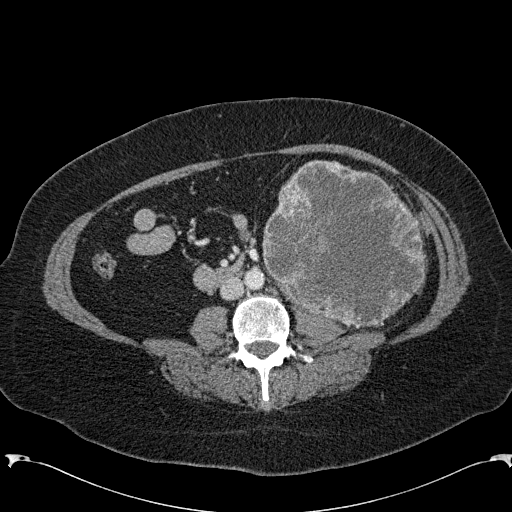
Arterial-phase contrast-enhanced abdominal CT, axial slice 79 of 285 (counted from the lowest slice); tube voltage 120 kVp, convolution kernel B31f; slices 2.00 mm thick, 0.762 mm per pixel.
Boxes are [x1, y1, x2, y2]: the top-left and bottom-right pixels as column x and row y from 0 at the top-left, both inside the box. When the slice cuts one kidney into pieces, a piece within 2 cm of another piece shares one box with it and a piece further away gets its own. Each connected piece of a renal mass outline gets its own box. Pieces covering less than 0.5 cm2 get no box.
Left renal mass, box [262, 160, 426, 328] (outlined area 20,670 px, about 119.9 cm2); this slice has no kidney outline, though on another slice the same outlined renal mass lies within 1 cm of the kidney.